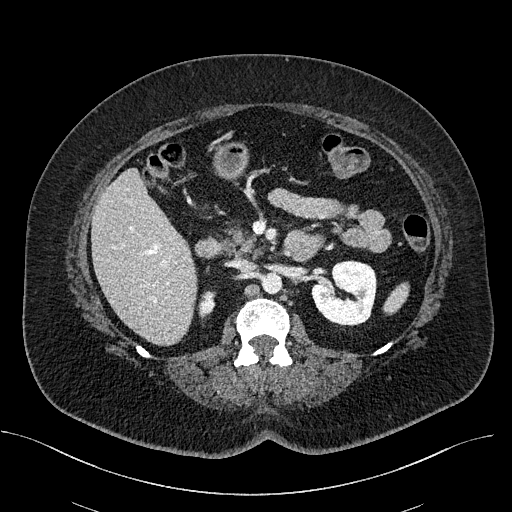
One axial slice (310 of 470, counting up from the lowest) of a contrast-enhanced abdominal CT acquired with 100 kVp, kernel I40f; each pixel is 0.824 mm and the slice is 2.00 mm thick.
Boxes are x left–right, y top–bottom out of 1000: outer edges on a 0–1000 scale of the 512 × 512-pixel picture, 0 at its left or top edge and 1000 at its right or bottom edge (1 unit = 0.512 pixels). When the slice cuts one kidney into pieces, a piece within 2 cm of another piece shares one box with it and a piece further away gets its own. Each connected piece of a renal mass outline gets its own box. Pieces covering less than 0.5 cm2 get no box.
Two boxes on this slice (two kidney boxes), listed by box centre from the image's left to its right. (1) Right kidney at x 387–422, y 568–619 out of 1000 (outlined area 365 px, about 2.5 cm2). (2) Left kidney, box x 607–736, y 508–637 out of 1000 (outlined area 3,286 px, about 22.3 cm2). This slice carries no renal mass outline.